Abdominal CT with intravenous contrast, arterial phase, axial plane, 120 kVp, kernel I30f. Slice 343/735 from the bottom of the scan; thickness 1.00 mm; pixel size 0.789 mm.
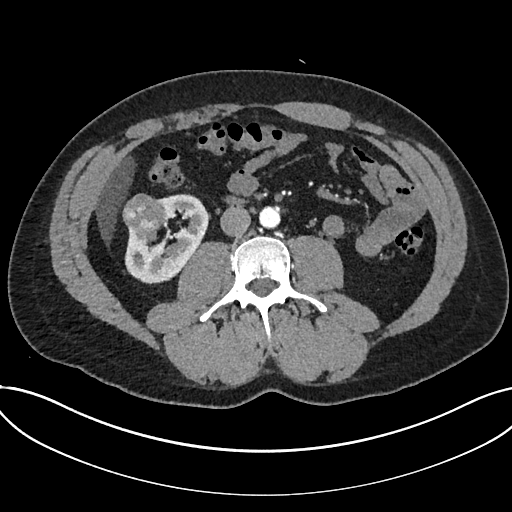
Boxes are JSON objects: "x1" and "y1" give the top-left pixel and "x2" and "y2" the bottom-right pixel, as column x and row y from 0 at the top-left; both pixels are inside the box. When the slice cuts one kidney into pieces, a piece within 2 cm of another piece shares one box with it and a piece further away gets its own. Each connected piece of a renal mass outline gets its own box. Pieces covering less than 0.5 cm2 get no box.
Two boxes on this slice (one kidney box and one renal mass box), listed by box centre from the image's left to its right. (1) Renal mass at {"x1": 122, "y1": 193, "x2": 167, "y2": 238} (outlined area 1,505 px, about 9.4 cm2). (2) Kidney, box {"x1": 124, "y1": 194, "x2": 207, "y2": 284} (outlined area 4,208 px, about 26.2 cm2).